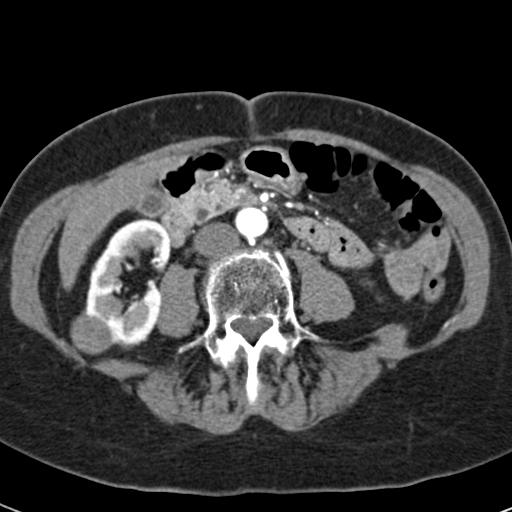
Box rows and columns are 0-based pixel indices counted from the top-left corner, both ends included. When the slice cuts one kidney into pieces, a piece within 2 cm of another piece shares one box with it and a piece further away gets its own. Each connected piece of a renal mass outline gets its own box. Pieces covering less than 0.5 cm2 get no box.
Arterial-phase contrast-enhanced abdominal CT, axial slice 16 of 53 (counted from the lowest slice); 3.00 mm thick, 0.547 mm per pixel. Boxed on this slice (one kidney box and one renal mass box), listed by box centre from the image's left to its right: (1) Right renal mass at rows 310–354, columns 70–112 (outlined area 1,366 px, about 4.1 cm2). (2) Box rows 217–349, columns 84–171: right kidney (outlined area 6,930 px, about 20.7 cm2).
Acquired at 120 kVp and reconstructed with the B30f kernel.